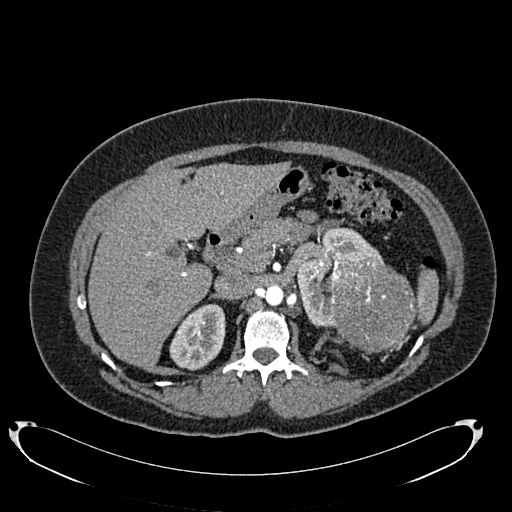
Axial slice 496 of 634 of a contrast-enhanced abdominal CT in the arterial phase (slice 1 is the lowest), 120 kVp, kernel B20f; 1.00 mm slice thickness and 0.838 mm pixels.
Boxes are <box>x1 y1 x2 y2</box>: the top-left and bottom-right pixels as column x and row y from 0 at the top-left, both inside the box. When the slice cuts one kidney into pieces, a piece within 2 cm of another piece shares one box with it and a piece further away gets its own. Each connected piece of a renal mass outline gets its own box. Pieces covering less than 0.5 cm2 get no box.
Boxed on this slice (two kidney boxes and one renal mass box), listed by box centre from the image's left to its right: (1) Right kidney at <box>169 304 225 370</box> (outlined area 2,761 px, about 19.4 cm2). (2) Left kidney at <box>296 227 383 326</box> (outlined area 3,717 px, about 26.1 cm2). (3) Left renal mass: <box>326 259 415 352</box> (outlined area 6,523 px, about 45.8 cm2).